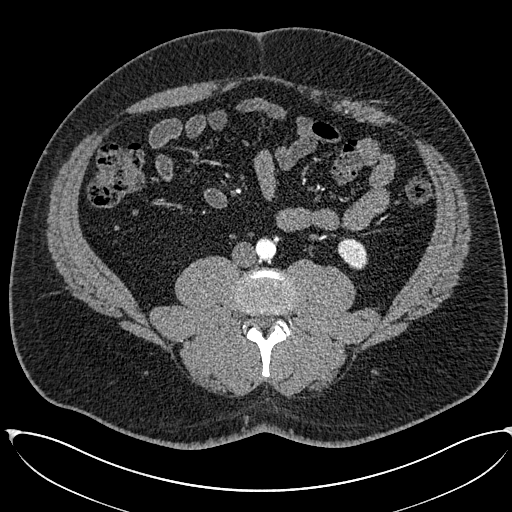
One axial slice (224 of 673, counting up from the lowest) of an arterial-phase abdominal CT acquired with 120 kVp, kernel I30f; each pixel is 0.855 mm and the slice is 1.00 mm thick.
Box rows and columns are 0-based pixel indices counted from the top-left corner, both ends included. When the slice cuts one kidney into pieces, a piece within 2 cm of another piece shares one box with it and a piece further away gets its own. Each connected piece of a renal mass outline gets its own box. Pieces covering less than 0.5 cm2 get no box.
Left kidney, box rows 238–269, columns 337–367 (outlined area 719 px, about 5.3 cm2). This slice carries no renal mass outline.